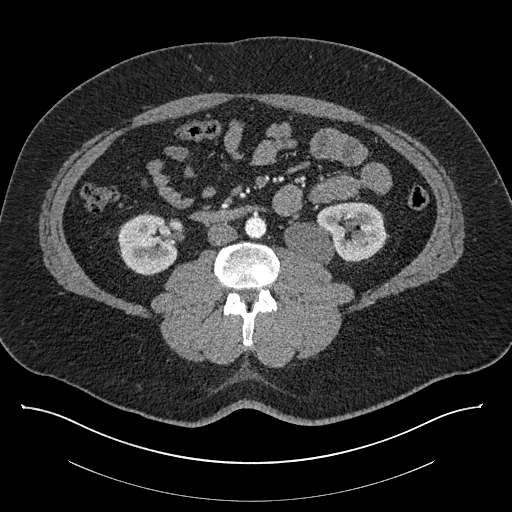
Axial slice 417 of 787 of a contrast-enhanced abdominal CT (slice 1 is the lowest), 140 kVp, kernel I30f; 1.00 mm slice thickness and 0.910 mm pixels.
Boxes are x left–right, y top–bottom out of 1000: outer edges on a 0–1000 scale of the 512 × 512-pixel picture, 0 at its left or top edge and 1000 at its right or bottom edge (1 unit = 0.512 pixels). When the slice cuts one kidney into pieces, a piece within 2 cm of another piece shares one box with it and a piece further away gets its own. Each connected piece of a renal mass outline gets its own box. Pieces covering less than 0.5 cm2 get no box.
Boxed on this slice (two kidney boxes), listed by box centre from the image's left to its right: (1) Right kidney, box x 230–359, y 416–539 out of 1000 (outlined area 2,988 px, about 24.8 cm2). (2) Left kidney, box x 555–756, y 395–520 out of 1000 (outlined area 4,720 px, about 39.1 cm2). No renal mass is outlined on this slice.